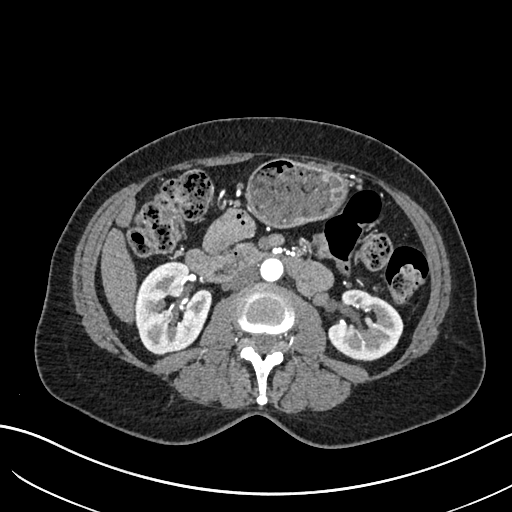
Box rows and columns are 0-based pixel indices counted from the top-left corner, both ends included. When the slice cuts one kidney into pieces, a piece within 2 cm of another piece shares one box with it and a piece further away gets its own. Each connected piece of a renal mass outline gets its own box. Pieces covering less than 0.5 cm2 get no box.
Slice 351/683 of a contrast-enhanced abdominal CT in the arterial phase, counting up from the lowest; pixel size 0.738 mm, slice thickness 1.00 mm. Two boxes on this slice (two kidney boxes), listed by box centre from the image's left to its right. (1) Box rows 261–354, columns 134–212: right kidney (outlined area 5,417 px, about 29.5 cm2). (2) Left kidney, box rows 289–361, columns 328–403 (outlined area 3,806 px, about 20.7 cm2). This slice carries no renal mass outline.
Scan settings: 120 kVp, I30f reconstruction kernel.